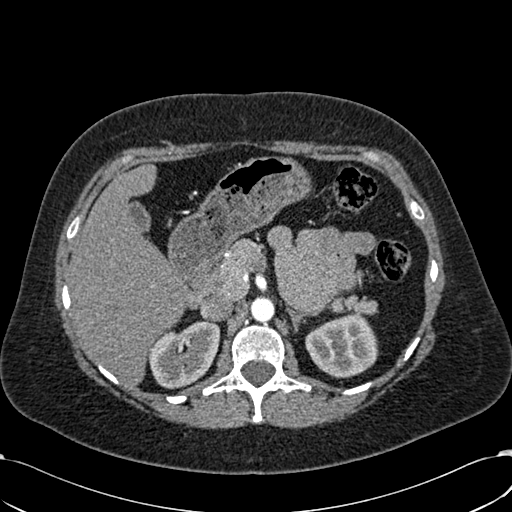
One axial slice (418 of 532, counting up from the lowest) of an arterial-phase abdominal CT acquired with 120 kVp, kernel B30f; each pixel is 0.713 mm and the slice is 1.00 mm thick.
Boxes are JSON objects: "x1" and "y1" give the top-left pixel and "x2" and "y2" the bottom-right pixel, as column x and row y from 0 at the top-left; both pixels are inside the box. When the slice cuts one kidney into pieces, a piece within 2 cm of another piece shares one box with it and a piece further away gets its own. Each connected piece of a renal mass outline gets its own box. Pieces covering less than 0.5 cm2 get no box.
Two boxes on this slice (two kidney boxes), listed by box centre from the image's left to its right. (1) Right kidney, box {"x1": 147, "y1": 321, "x2": 220, "y2": 388} (outlined area 3,538 px, about 18.0 cm2). (2) Left kidney, box {"x1": 305, "y1": 313, "x2": 378, "y2": 378} (outlined area 3,528 px, about 17.9 cm2). No renal mass outline on this slice.